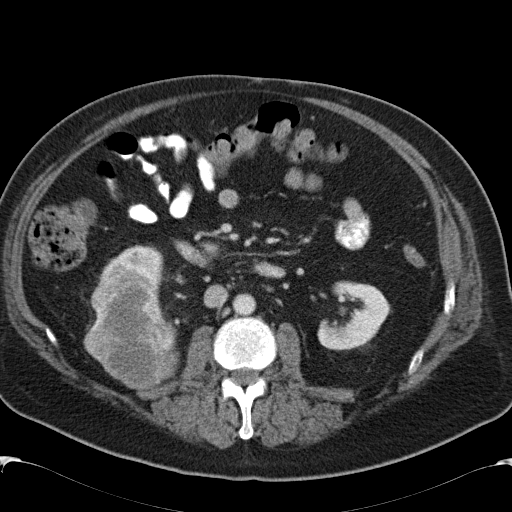
Abdominal CT with intravenous contrast, axial plane, 120 kVp, kernel B31f. Slice 66/99 from the bottom of the scan; thickness 5.00 mm; pixel size 0.742 mm.
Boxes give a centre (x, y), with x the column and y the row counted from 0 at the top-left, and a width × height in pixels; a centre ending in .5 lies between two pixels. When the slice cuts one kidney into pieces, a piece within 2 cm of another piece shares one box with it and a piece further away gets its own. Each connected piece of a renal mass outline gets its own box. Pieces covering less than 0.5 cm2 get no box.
Boxed on this slice (two kidney boxes and one renal mass box), listed by box centre from the image's left to its right: (1) Right renal mass, box centre (131, 331.5), 97 × 120 pixels (outlined area 8,010 px, about 44.1 cm2). (2) Right kidney in a box with centre (131.5, 271), 66 × 53 pixels (outlined area 1,713 px, about 9.4 cm2). (3) Left kidney in a box with centre (353, 315.5), 73 × 70 pixels (outlined area 3,273 px, about 18.0 cm2).